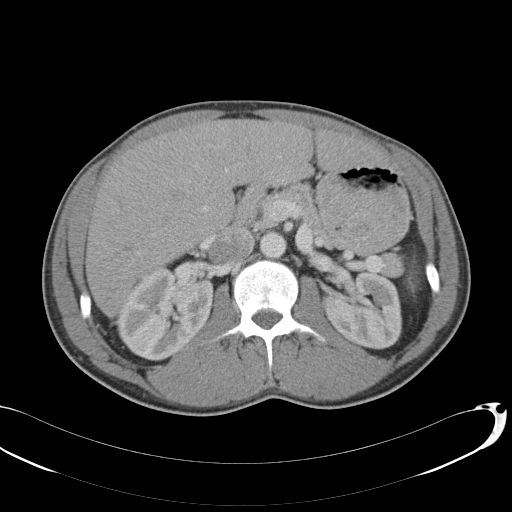
One axial slice (68 of 146, counting up from the lowest) of a contrast-enhanced abdominal CT acquired with 120 kVp, kernel B31f; each pixel is 0.742 mm and the slice is 5.00 mm thick.
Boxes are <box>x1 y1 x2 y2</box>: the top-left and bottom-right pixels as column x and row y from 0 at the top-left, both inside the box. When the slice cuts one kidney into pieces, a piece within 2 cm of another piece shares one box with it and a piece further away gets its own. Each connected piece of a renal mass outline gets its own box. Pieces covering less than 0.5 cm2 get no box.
Two kidney boxes on this slice; by box centre, from the image's left to its right: (1) Right kidney: <box>115 267 213 361</box> (outlined area 6,669 px, about 36.7 cm2). (2) Left kidney: <box>322 273 402 349</box> (outlined area 4,673 px, about 25.7 cm2). No renal mass outline on this slice.